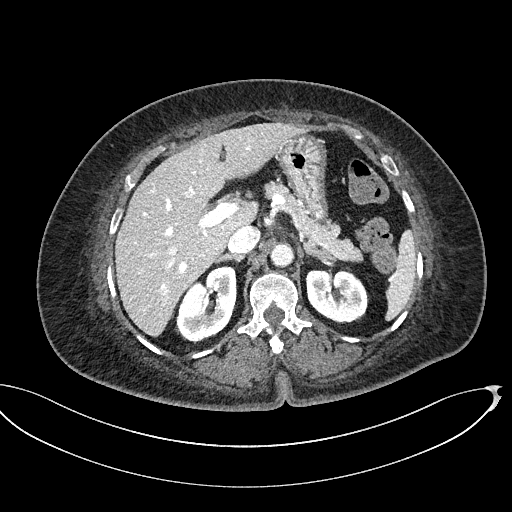
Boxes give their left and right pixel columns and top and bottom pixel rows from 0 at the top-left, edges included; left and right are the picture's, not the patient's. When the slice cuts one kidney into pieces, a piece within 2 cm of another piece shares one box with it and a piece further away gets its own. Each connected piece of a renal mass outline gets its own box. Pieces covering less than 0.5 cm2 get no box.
This is axial slice 338 of 439 (slice 1 is the lowest) of an abdominal CT with contrast; each pixel is 0.850 mm and the slice is 2.00 mm thick. Two boxes on this slice (two kidney boxes), listed by box centre from the image's left to its right. (1) Right kidney, the box with left 175, top 266, right 237, bottom 343 (outlined area 3,347 px, about 24.2 cm2). (2) Left kidney, the box with left 305, top 269, right 368, bottom 323 (outlined area 2,740 px, about 19.8 cm2). No renal mass is outlined on this slice.
Tube voltage 100 kVp; convolution kernel I40f.